One axial slice (69 of 102, counting up from the lowest) of a contrast-enhanced abdominal CT acquired with 120 kVp, kernel I40f; each pixel is 0.977 mm and the slice is 5.00 mm thick.
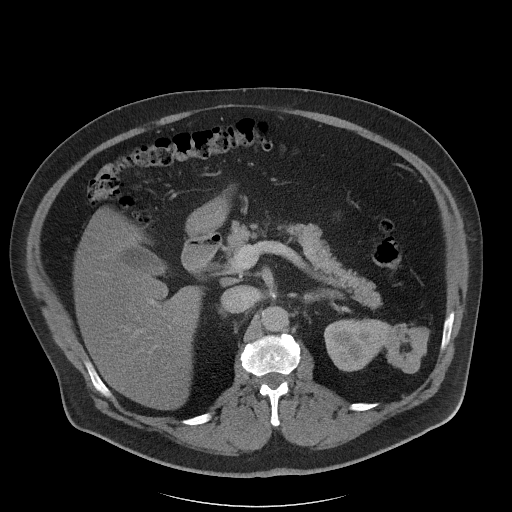
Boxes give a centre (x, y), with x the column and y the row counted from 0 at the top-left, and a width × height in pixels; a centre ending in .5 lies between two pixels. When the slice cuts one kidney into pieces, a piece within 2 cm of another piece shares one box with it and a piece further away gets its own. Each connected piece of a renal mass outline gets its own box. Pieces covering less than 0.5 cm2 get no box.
Boxed on this slice (one kidney box and one renal mass box), listed by box centre from the image's left to its right: (1) Left kidney, box centre (358, 344.5), 69 × 54 pixels (outlined area 2,663 px, about 25.4 cm2). (2) Box centre (406.5, 348), 46 × 51 pixels: left renal mass (outlined area 1,617 px, about 15.4 cm2).